One axial slice (540 of 738, counting up from the lowest) of an arterial-phase abdominal CT acquired with 120 kVp, kernel I30f; each pixel is 0.789 mm and the slice is 1.00 mm thick.
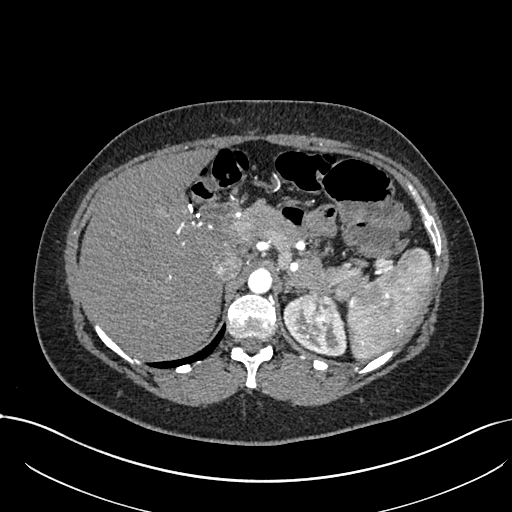
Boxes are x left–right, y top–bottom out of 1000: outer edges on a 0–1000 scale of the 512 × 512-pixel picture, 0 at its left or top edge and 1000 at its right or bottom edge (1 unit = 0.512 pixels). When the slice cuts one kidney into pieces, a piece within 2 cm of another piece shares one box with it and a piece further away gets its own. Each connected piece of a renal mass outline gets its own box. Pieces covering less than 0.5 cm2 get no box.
Two boxes on this slice (one kidney box and one renal mass box), listed by box centre from the image's left to its right. (1) Left kidney, box x 553–678, y 574–695 out of 1000 (outlined area 1,925 px, about 12.0 cm2). (2) Left renal mass, box x 588–650, y 570–662 out of 1000 (outlined area 1,141 px, about 7.1 cm2).